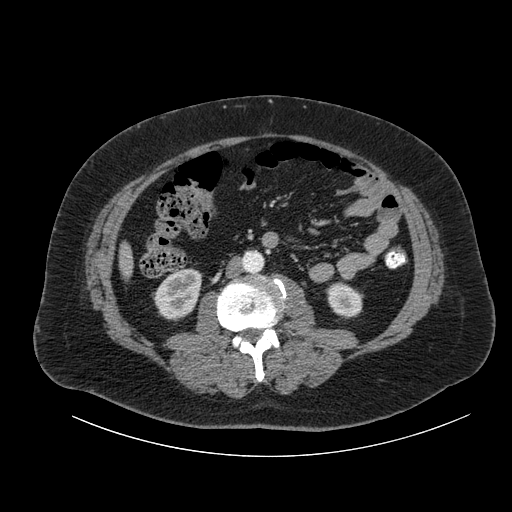
Abdominal CT with intravenous contrast, axial plane, 120 kVp, kernel B. Slice 32/105 from the bottom of the scan; thickness 3.00 mm; pixel size 0.977 mm.
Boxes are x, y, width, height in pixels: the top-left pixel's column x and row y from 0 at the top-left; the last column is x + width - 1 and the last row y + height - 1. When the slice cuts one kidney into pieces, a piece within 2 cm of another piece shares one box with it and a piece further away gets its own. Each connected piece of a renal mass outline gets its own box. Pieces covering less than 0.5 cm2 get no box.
Boxed on this slice (two kidney boxes), listed by box centre from the image's left to its right: (1) Right kidney at x 153, y 268, width 50, height 54 (outlined area 1,910 px, about 18.2 cm2). (2) Left kidney, box x 325, y 281, width 38, height 38 (outlined area 1,032 px, about 9.8 cm2). This slice carries no renal mass outline.